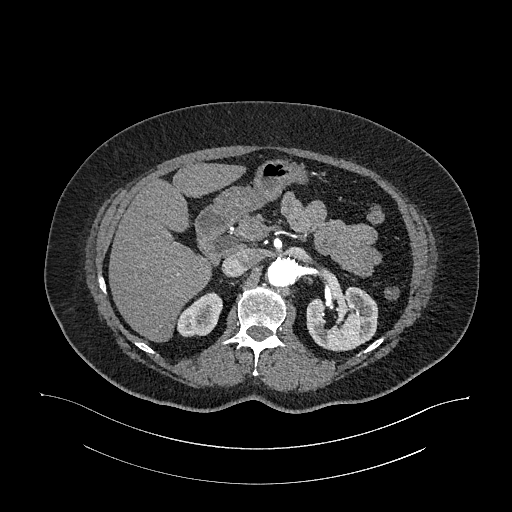
Axial slice 714 of 987 of a contrast-enhanced abdominal CT in the arterial phase (slice 1 is the lowest), 120 kVp, kernel I26f; 1.00 mm slice thickness and 0.977 mm pixels.
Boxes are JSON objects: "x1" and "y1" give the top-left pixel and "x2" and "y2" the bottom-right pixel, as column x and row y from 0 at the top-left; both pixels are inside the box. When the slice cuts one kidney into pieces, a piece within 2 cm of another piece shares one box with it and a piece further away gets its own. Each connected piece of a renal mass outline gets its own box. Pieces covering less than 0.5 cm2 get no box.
Two kidney boxes on this slice; by box centre, from the image's left to its right: (1) Right kidney, box {"x1": 177, "y1": 292, "x2": 222, "y2": 337} (outlined area 1,440 px, about 13.7 cm2). (2) Box {"x1": 306, "y1": 286, "x2": 378, "y2": 351}: left kidney (outlined area 3,548 px, about 33.8 cm2). No renal mass is outlined on this slice.